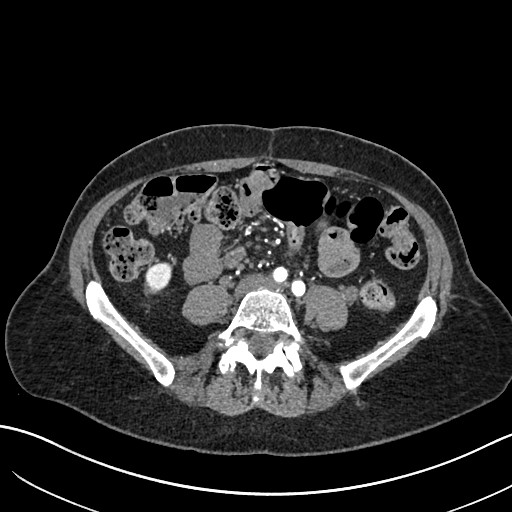
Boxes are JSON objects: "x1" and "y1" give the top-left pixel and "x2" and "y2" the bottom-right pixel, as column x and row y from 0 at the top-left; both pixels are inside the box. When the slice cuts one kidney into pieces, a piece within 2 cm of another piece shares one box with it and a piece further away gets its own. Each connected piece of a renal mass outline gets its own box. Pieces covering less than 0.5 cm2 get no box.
This is axial slice 244 of 683 (slice 1 is the lowest) of an arterial-phase abdominal CT with contrast; each pixel is 0.738 mm and the slice is 1.00 mm thick. Right kidney, box {"x1": 145, "y1": 262, "x2": 172, "y2": 292} (outlined area 658 px, about 3.6 cm2). No renal mass is outlined on this slice.
Scan settings: 120 kVp, I30f reconstruction kernel.